Abdominal CT with intravenous contrast, arterial phase, axial plane, 120 kVp, kernel STANDARD. Slice 237/349 from the bottom of the scan; thickness 1.25 mm; pixel size 0.742 mm.
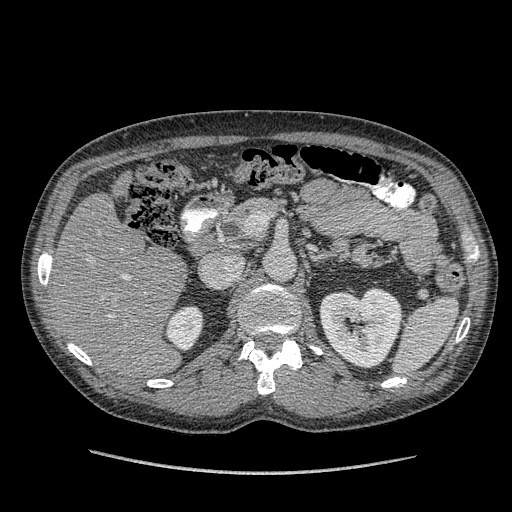
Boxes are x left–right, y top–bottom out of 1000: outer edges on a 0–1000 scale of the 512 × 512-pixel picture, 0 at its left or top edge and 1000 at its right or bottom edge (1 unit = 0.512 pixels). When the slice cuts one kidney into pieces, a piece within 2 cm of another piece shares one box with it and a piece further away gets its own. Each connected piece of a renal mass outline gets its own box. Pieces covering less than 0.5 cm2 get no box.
Two kidney boxes on this slice; by box centre, from the image's left to its right: (1) Box x 322–398, y 596–688 out of 1000: right kidney (outlined area 1,320 px, about 7.3 cm2). (2) Left kidney at x 623–787, y 561–721 out of 1000 (outlined area 5,132 px, about 28.3 cm2). No renal mass outline on this slice.